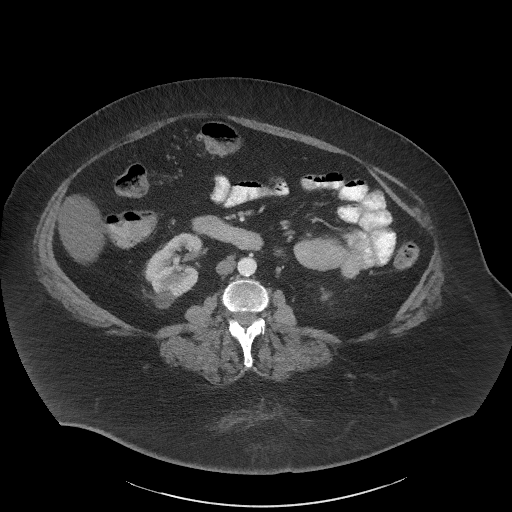
One axial slice (19 of 61, counting up from the lowest) of an arterial-phase abdominal CT acquired with 140 kVp, kernel I41f; each pixel is 0.947 mm and the slice is 3.00 mm thick.
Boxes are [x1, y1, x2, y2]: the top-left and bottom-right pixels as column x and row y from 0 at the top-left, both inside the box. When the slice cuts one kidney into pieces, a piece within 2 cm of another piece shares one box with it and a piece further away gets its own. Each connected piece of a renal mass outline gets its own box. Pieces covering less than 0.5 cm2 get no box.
Two kidney boxes on this slice; by box centre, from the image's left to its right: (1) Right kidney, box [144, 232, 203, 308] (outlined area 3,035 px, about 27.2 cm2). (2) Box [320, 287, 331, 301]: left kidney (outlined area 98 px, about 0.9 cm2). No renal mass outline on this slice.